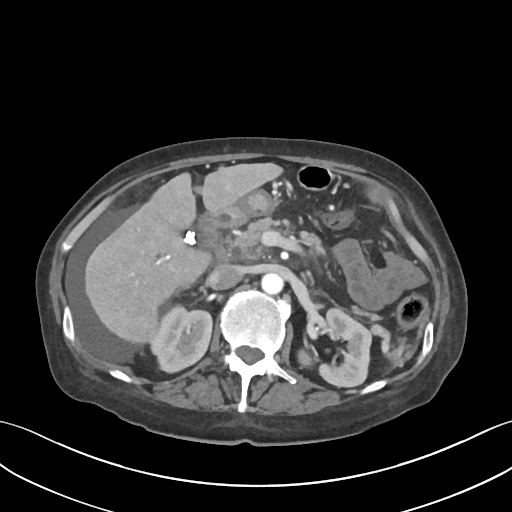
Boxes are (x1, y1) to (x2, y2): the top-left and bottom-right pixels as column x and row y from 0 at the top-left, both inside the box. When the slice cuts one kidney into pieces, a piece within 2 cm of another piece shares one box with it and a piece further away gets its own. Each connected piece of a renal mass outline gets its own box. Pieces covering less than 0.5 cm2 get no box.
This is axial slice 50 of 109 (slice 1 is the lowest) of an abdominal CT with contrast; each pixel is 0.742 mm and the slice is 3.00 mm thick. Boxed on this slice (two kidney boxes), listed by box centre from the image's left to its right: (1) Right kidney, box (148, 303) to (214, 373) (outlined area 3,332 px, about 18.4 cm2). (2) Box (296, 308) to (373, 388): left kidney (outlined area 3,345 px, about 18.4 cm2). No renal mass outline on this slice.
Tube voltage 120 kVp; convolution kernel I30f.